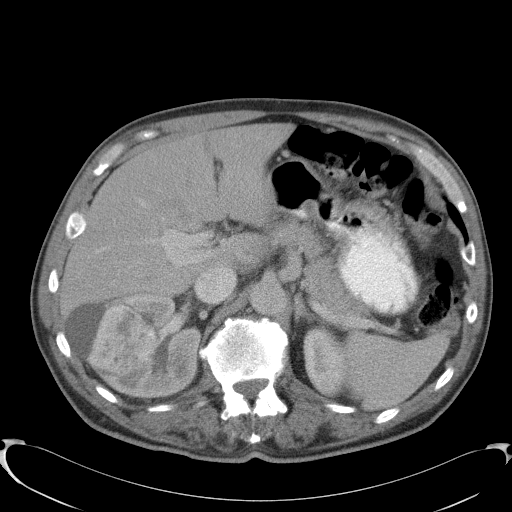
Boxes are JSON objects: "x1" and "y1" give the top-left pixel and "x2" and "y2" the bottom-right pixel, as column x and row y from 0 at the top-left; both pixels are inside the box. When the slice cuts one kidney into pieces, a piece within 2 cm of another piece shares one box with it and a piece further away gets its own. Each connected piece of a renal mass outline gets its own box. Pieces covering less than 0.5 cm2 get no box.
This is axial slice 72 of 91 (slice 1 is the lowest) of an abdominal CT with contrast; each pixel is 0.762 mm and the slice is 5.00 mm thick. Three boxes on this slice (two kidney boxes and one renal mass box), listed by box centre from the image's left to its right. (1) Right renal mass at {"x1": 86, "y1": 305, "x2": 160, "y2": 380} (outlined area 3,973 px, about 23.1 cm2). (2) Right kidney at {"x1": 64, "y1": 291, "x2": 202, "y2": 399} (outlined area 7,095 px, about 41.2 cm2). (3) Box {"x1": 303, "y1": 327, "x2": 346, "y2": 399}: left kidney (outlined area 2,481 px, about 14.4 cm2).
Scan settings: 120 kVp, B41f reconstruction kernel.